Axial slice 329 of 1059 of a contrast-enhanced abdominal CT in the arterial phase (slice 1 is the lowest), 100 kVp, kernel I30f; 1.00 mm slice thickness and 0.811 mm pixels.
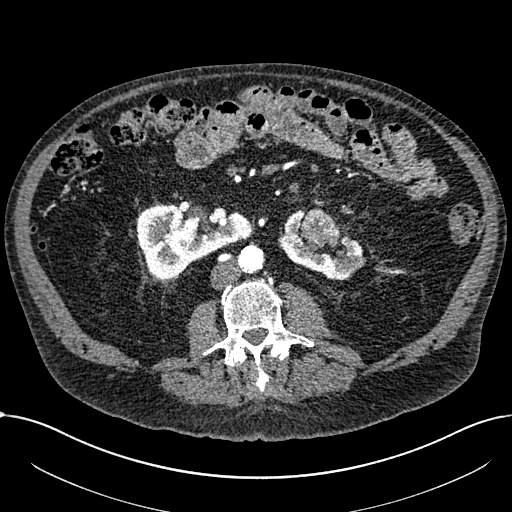
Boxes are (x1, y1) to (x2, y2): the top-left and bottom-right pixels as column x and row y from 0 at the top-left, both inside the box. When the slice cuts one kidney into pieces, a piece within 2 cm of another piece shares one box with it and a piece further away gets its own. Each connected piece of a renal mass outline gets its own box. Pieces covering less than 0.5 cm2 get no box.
Boxed on this slice (two kidney boxes and one renal mass box), listed by box centre from the image's left to its right: (1) Box (136, 203) to (252, 279): right part of the midline-crossing kidney (outlined area 5,827 px, about 38.3 cm2). (2) Renal mass from (299, 208) to (340, 248) (outlined area 1,199 px, about 7.9 cm2). (3) Left part of the midline-crossing kidney, box (278, 209) to (366, 280) (outlined area 2,817 px, about 18.5 cm2).